Abdominal CT with intravenous contrast, arterial phase, axial plane, 140 kVp, kernel I30f. Slice 444/673 from the bottom of the scan; thickness 1.00 mm; pixel size 0.957 mm.
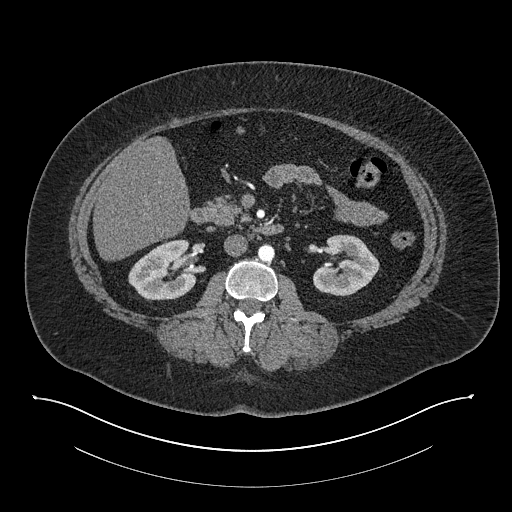
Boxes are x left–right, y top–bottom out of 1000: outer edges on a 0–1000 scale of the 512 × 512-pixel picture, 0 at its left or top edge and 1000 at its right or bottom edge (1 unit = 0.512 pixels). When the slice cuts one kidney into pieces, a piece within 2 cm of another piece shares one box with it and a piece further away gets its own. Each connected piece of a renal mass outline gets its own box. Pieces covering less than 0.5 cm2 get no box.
Two boxes on this slice (two kidney boxes), listed by box centre from the image's left to its right. (1) Right kidney at x 250–385, y 467–588 out of 1000 (outlined area 3,102 px, about 28.4 cm2). (2) Box x 609–742, y 457–580 out of 1000: left kidney (outlined area 2,902 px, about 26.6 cm2). No renal mass is outlined on this slice.